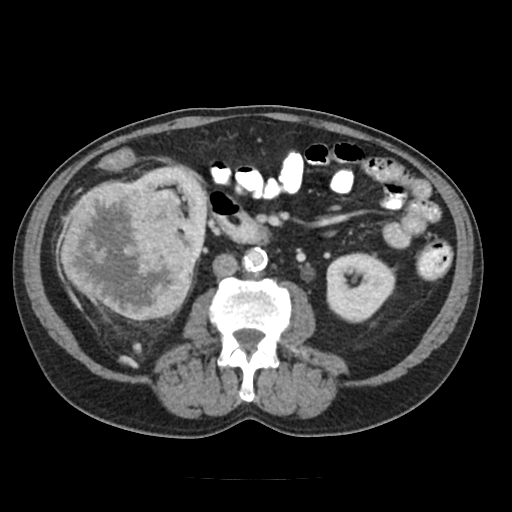
Contrast-enhanced abdominal CT, axial slice 55 of 91 (counted from the lowest slice); tube voltage 120 kVp, convolution kernel FC18; slices 5.00 mm thick, 0.766 mm per pixel.
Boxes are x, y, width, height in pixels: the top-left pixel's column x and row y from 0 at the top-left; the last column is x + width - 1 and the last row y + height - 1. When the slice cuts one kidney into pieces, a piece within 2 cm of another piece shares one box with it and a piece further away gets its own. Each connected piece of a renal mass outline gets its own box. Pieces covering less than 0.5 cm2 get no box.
Two kidney boxes and one renal mass box on this slice; by box centre, from the image's left to its right: (1) Right renal mass at x 61, y 182, width 133, height 139 (outlined area 14,036 px, about 82.4 cm2). (2) Right kidney at x 130, y 166, width 78, height 101 (outlined area 2,951 px, about 17.3 cm2). (3) Box x 326, y 252, width 70, height 72: left kidney (outlined area 3,863 px, about 22.7 cm2).